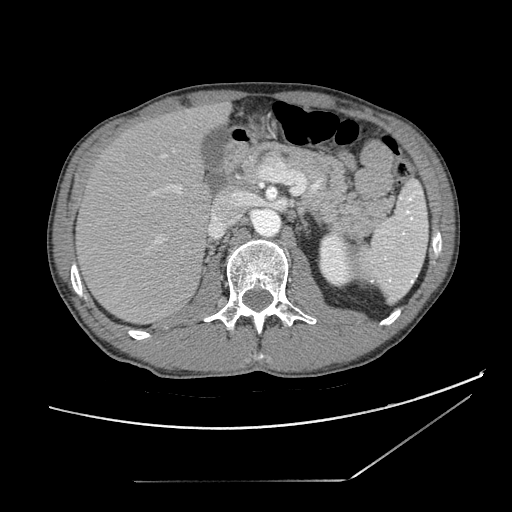
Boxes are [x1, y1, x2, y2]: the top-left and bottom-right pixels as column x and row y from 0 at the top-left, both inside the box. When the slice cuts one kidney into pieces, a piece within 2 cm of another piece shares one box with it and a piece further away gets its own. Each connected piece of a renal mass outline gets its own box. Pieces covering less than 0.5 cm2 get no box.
Slice 74/121 of a contrast-enhanced abdominal CT, counting up from the lowest; pixel size 0.742 mm, slice thickness 2.50 mm. Left kidney, box [316, 231, 355, 288] (outlined area 1,793 px, about 9.9 cm2). No renal mass is outlined on this slice.
Scan settings: 120 kVp, STANDARD reconstruction kernel.